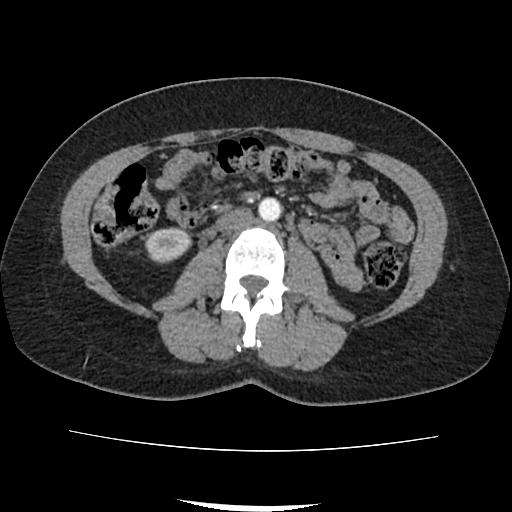
Contrast-enhanced abdominal CT, axial slice 36 of 103 (counted from the lowest slice); tube voltage 120 kVp, convolution kernel FC18; slices 3.00 mm thick, 0.714 mm per pixel.
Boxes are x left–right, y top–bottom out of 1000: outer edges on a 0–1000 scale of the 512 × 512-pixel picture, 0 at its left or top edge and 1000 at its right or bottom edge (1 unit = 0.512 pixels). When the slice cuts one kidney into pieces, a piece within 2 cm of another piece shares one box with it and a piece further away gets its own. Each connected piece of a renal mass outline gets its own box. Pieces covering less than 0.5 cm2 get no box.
Right kidney, box x 281–377, y 443–516 out of 1000 (outlined area 1,338 px, about 6.8 cm2). This slice carries no renal mass outline.